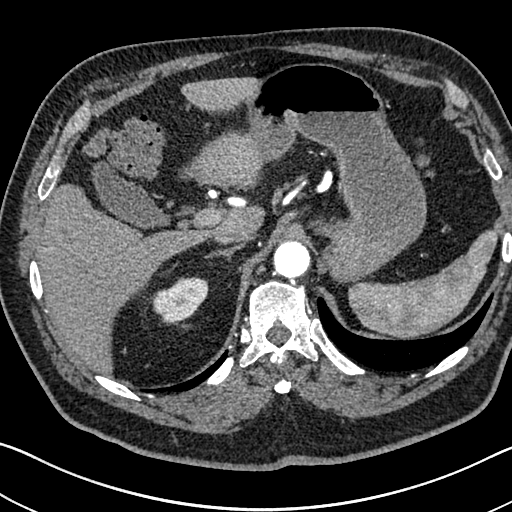
Axial slice 550 of 705 of a contrast-enhanced abdominal CT in the arterial phase (slice 1 is the lowest), 120 kVp, kernel I30f; 1.00 mm slice thickness and 0.703 mm pixels.
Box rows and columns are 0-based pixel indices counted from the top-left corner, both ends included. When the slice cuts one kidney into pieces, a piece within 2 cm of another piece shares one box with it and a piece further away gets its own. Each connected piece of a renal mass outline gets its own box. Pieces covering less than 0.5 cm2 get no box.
Box rows 277–325, columns 150–208: right kidney (outlined area 1,868 px, about 9.2 cm2). No renal mass outline on this slice.